Contrast-enhanced abdominal CT, axial slice 126 of 206 (counted from the lowest slice); tube voltage 120 kVp, convolution kernel STANDARD; slices 2.50 mm thick, 0.879 mm per pixel.
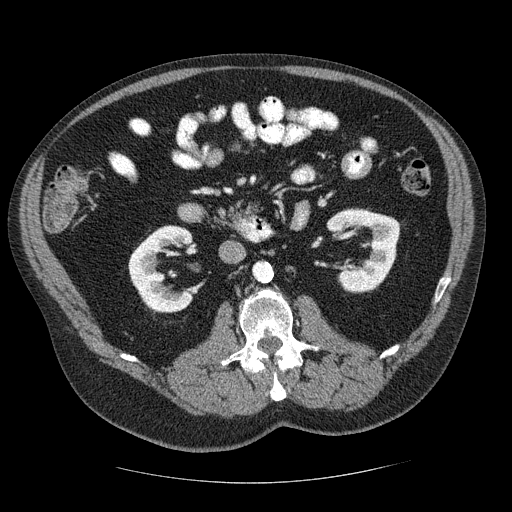
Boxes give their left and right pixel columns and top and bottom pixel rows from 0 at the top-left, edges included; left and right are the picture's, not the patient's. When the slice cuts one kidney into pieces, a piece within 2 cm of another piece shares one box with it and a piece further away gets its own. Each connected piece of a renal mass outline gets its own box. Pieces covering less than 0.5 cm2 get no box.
Two boxes on this slice (two kidney boxes), listed by box centre from the image's left to its right. (1) Right kidney in the box with left 128, top 225, right 194, bottom 313 (outlined area 3,765 px, about 29.1 cm2). (2) Box with left 326, top 208, right 400, bottom 293: left kidney (outlined area 4,048 px, about 31.3 cm2). No renal mass outline on this slice.